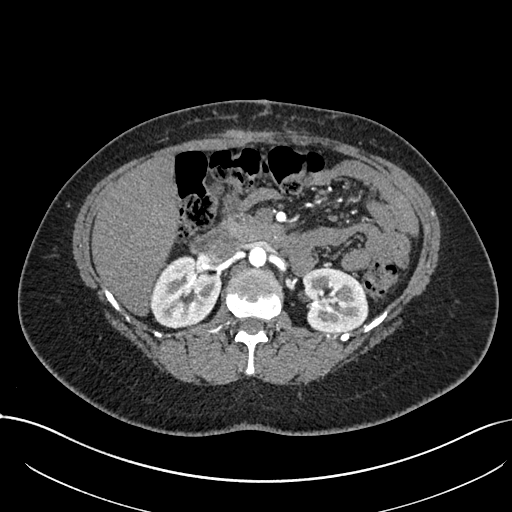
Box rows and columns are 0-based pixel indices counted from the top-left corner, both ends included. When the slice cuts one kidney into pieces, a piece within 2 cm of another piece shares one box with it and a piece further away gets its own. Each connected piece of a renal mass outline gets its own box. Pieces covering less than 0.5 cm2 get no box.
Arterial-phase contrast-enhanced abdominal CT, axial slice 443 of 738 (counted from the lowest slice); 1.00 mm thick, 0.789 mm per pixel. Two kidney boxes on this slice; by box centre, from the image's left to its right: (1) Box rows 255–328, columns 151–221: right kidney (outlined area 3,886 px, about 24.2 cm2). (2) Box rows 268–332, columns 301–368: left kidney (outlined area 3,521 px, about 21.9 cm2). No renal mass is outlined on this slice.
Tube voltage 120 kVp; convolution kernel I30f.